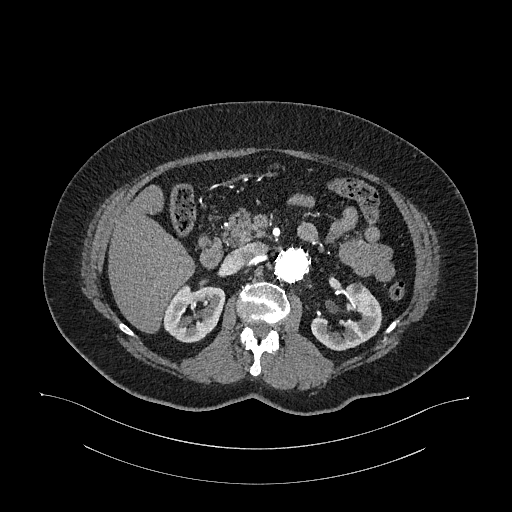
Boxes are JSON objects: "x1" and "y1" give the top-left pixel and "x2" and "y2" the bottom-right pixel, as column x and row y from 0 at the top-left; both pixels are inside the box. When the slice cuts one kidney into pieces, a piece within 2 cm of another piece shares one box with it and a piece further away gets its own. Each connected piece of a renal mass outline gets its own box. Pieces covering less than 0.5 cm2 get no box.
Slice 683/987 of a contrast-enhanced abdominal CT in the arterial phase, counting up from the lowest; pixel size 0.977 mm, slice thickness 1.00 mm. Two kidney boxes on this slice; by box centre, from the image's left to its right: (1) Right kidney, box {"x1": 163, "y1": 285, "x2": 225, "y2": 342} (outlined area 2,637 px, about 25.1 cm2). (2) Box {"x1": 311, "y1": 283, "x2": 382, "y2": 350}: left kidney (outlined area 2,795 px, about 26.7 cm2). No renal mass is outlined on this slice.
Scan settings: 120 kVp, I26f reconstruction kernel.